Arterial-phase contrast-enhanced abdominal CT, axial slice 292 of 683 (counted from the lowest slice); tube voltage 120 kVp, convolution kernel I30f; slices 1.00 mm thick, 0.738 mm per pixel.
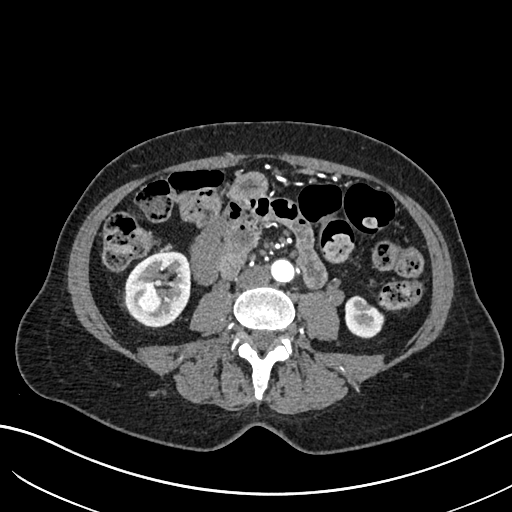
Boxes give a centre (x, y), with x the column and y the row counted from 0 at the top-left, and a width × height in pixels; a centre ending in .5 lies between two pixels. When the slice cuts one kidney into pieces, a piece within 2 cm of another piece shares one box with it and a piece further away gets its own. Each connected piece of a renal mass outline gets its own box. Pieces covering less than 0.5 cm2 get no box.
Two kidney boxes and one renal mass box on this slice; by box centre, from the image's left to its right: (1) Right renal mass, box centre (149, 299.5), 27 × 26 pixels (outlined area 531 px, about 2.9 cm2). (2) Right kidney in a box with centre (157, 288.5), 67 × 76 pixels (outlined area 3,524 px, about 19.2 cm2). (3) Left kidney in a box with centre (364.5, 316.5), 40 × 44 pixels (outlined area 1,269 px, about 6.9 cm2).